Arterial-phase contrast-enhanced abdominal CT, axial slice 557 of 735 (counted from the lowest slice); tube voltage 120 kVp, convolution kernel I30f; slices 1.00 mm thick, 0.789 mm per pixel.
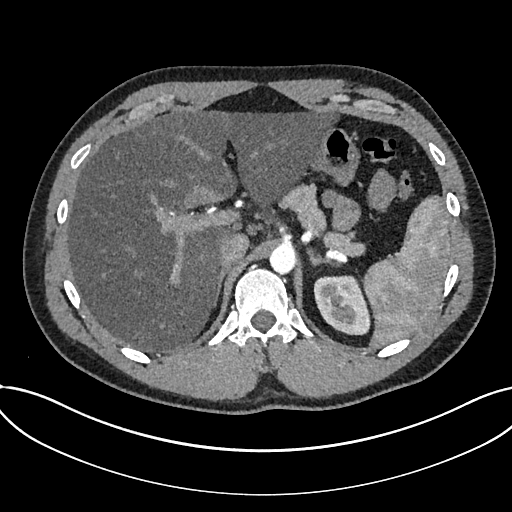
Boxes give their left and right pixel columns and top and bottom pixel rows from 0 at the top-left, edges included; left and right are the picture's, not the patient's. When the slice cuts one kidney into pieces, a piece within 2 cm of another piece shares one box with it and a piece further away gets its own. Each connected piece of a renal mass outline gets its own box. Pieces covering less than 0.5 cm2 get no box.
Kidney, the box with left 313, top 275, right 370, bottom 335 (outlined area 2,628 px, about 16.4 cm2). No renal mass outline on this slice.